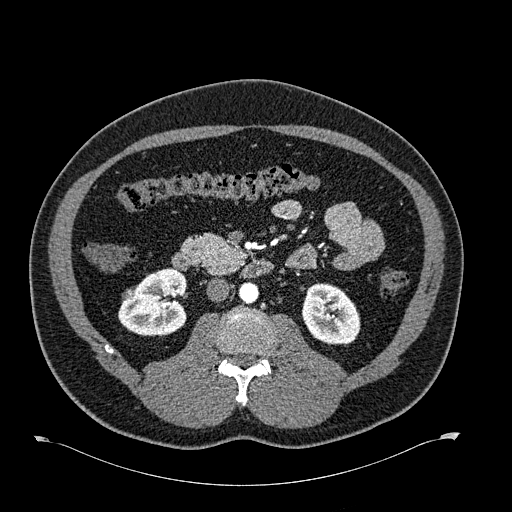
Abdominal CT with intravenous contrast, arterial phase, axial plane, 120 kVp, kernel B30f. Slice 336/723 from the bottom of the scan; thickness 1.00 mm; pixel size 0.895 mm.
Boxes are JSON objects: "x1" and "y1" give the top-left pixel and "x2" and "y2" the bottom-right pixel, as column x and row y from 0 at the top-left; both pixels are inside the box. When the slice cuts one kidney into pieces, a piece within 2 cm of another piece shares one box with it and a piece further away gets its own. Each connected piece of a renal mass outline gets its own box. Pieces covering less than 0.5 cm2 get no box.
Two kidney boxes and one renal mass box on this slice; by box centre, from the image's left to its right: (1) Right renal mass at {"x1": 122, "y1": 287, "x2": 135, "y2": 300} (outlined area 131 px, about 1.0 cm2). (2) Right kidney, box {"x1": 118, "y1": 267, "x2": 187, "y2": 336} (outlined area 3,563 px, about 28.5 cm2). (3) Box {"x1": 301, "y1": 283, "x2": 360, "y2": 345}: left kidney (outlined area 2,839 px, about 22.7 cm2).